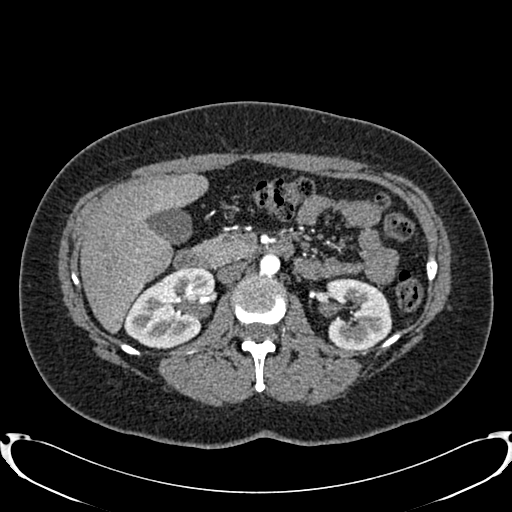
Axial slice 474 of 719 of a contrast-enhanced abdominal CT in the arterial phase (slice 1 is the lowest), 120 kVp, kernel B20f; 1.00 mm slice thickness and 0.766 mm pixels.
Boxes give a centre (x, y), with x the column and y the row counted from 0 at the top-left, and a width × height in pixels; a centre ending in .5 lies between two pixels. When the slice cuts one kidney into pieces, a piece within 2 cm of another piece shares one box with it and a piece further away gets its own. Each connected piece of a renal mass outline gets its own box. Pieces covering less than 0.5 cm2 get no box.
Two kidney boxes on this slice; by box centre, from the image's left to its right: (1) Box centre (168.5, 308.5), 92 × 82 pixels: right kidney (outlined area 5,196 px, about 30.5 cm2). (2) Box centre (358.5, 313.5), 68 × 72 pixels: left kidney (outlined area 3,799 px, about 22.3 cm2). No renal mass is outlined on this slice.